Arterial-phase contrast-enhanced abdominal CT, axial slice 142 of 186 (counted from the lowest slice); tube voltage 120 kVp, convolution kernel STANDARD; slices 2.50 mm thick, 0.742 mm per pixel.
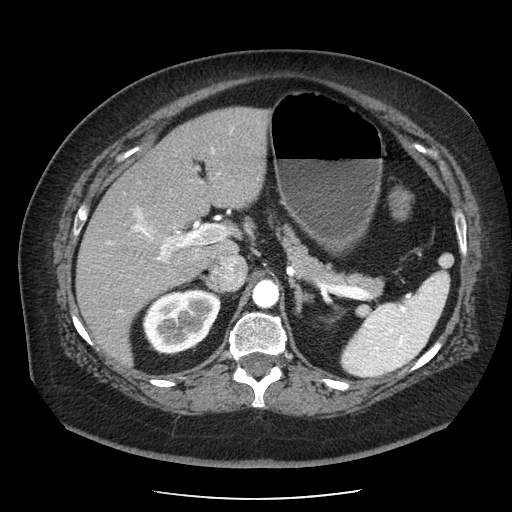
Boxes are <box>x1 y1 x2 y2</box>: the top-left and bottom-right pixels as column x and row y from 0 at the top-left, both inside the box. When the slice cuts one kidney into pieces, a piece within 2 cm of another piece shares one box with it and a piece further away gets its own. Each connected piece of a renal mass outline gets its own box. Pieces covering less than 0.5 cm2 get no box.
Two boxes on this slice (two kidney boxes), listed by box centre from the image's left to its right. (1) Right kidney at <box>142 287 221 353</box> (outlined area 3,939 px, about 21.7 cm2). (2) At <box>327 307 343 324</box>: left kidney (outlined area 129 px, about 0.7 cm2). No renal mass outline on this slice.